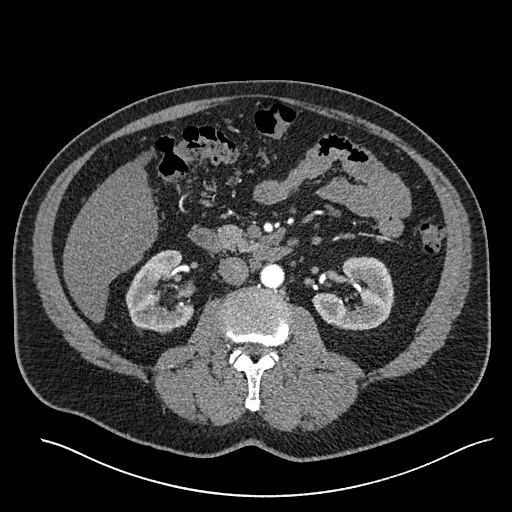
Arterial-phase contrast-enhanced abdominal CT, axial slice 309 of 527 (counted from the lowest slice); tube voltage 120 kVp, convolution kernel I30f; slices 1.00 mm thick, 0.859 mm per pixel.
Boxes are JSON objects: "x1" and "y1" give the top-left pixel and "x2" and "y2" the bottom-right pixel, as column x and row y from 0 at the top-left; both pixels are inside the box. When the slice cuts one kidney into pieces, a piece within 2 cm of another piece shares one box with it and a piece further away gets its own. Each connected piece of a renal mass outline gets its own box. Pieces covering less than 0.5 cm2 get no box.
Two kidney boxes on this slice; by box centre, from the image's left to its right: (1) Box {"x1": 125, "y1": 250, "x2": 194, "y2": 331}: right kidney (outlined area 3,848 px, about 28.4 cm2). (2) Left kidney at {"x1": 312, "y1": 256, "x2": 394, "y2": 330} (outlined area 4,147 px, about 30.6 cm2). No renal mass is outlined on this slice.